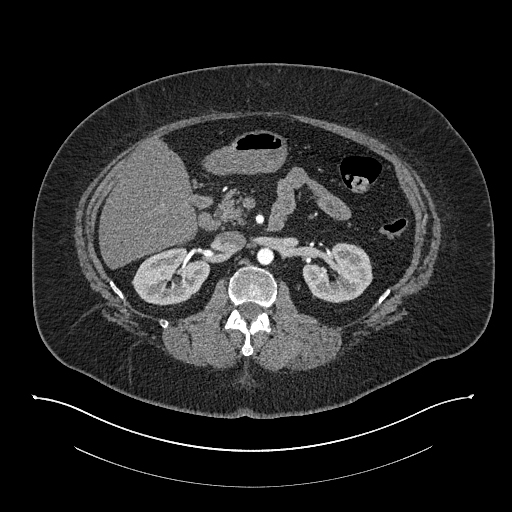
Abdominal CT with intravenous contrast, arterial phase, axial plane, 140 kVp, kernel I30f. Slice 484/673 from the bottom of the scan; thickness 1.00 mm; pixel size 0.957 mm.
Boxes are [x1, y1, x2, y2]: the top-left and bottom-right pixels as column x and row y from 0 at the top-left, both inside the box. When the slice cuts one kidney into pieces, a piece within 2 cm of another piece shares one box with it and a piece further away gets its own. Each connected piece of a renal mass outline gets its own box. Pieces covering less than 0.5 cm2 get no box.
Two boxes on this slice (two kidney boxes), listed by box centre from the image's left to its right. (1) Right kidney at [132, 247, 210, 305] (outlined area 3,303 px, about 30.3 cm2). (2) Box [302, 243, 372, 302]: left kidney (outlined area 3,098 px, about 28.4 cm2). No renal mass outline on this slice.